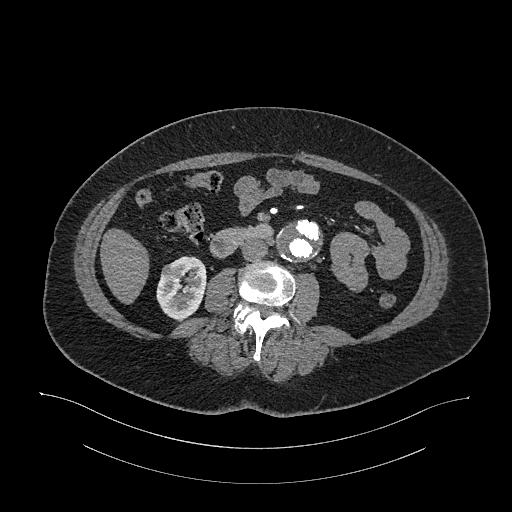
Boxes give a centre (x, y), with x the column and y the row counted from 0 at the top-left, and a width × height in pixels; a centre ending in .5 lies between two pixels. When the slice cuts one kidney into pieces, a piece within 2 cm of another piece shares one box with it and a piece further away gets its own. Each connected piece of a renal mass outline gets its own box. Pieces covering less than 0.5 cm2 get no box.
Slice 569/987 of a contrast-enhanced abdominal CT in the arterial phase, counting up from the lowest; pixel size 0.977 mm, slice thickness 1.00 mm. Boxed on this slice (one kidney box and one renal mass box), listed by box centre from the image's left to its right: (1) Right renal mass, box centre (170.5, 271), 22 × 15 pixels (outlined area 197 px, about 1.9 cm2). (2) Right kidney in a box with centre (181, 288.5), 51 × 66 pixels (outlined area 2,331 px, about 22.2 cm2).
Acquired at 120 kVp and reconstructed with the I26f kernel.